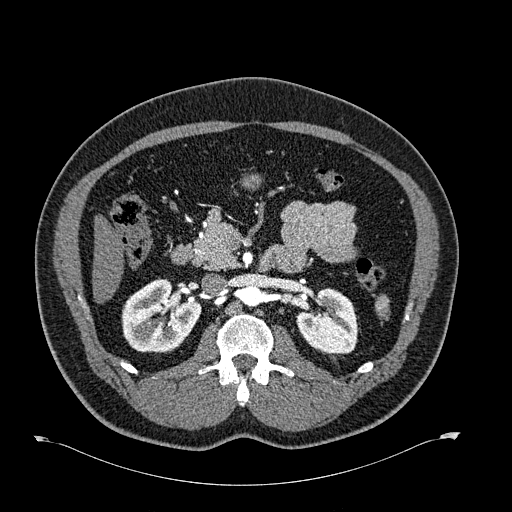
One axial slice (387 of 723, counting up from the lowest) of an arterial-phase abdominal CT acquired with 120 kVp, kernel B30f; each pixel is 0.895 mm and the slice is 1.00 mm thick.
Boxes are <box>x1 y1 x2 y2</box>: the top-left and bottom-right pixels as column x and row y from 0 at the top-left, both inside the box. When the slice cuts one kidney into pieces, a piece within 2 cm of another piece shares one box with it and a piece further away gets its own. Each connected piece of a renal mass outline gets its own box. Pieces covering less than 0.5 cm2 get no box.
Two boxes on this slice (two kidney boxes), listed by box centre from the image's left to its right. (1) At <box>121 278 201 352</box>: right kidney (outlined area 4,363 px, about 34.9 cm2). (2) Left kidney: <box>295 288 359 354</box> (outlined area 3,079 px, about 24.6 cm2). No renal mass is outlined on this slice.